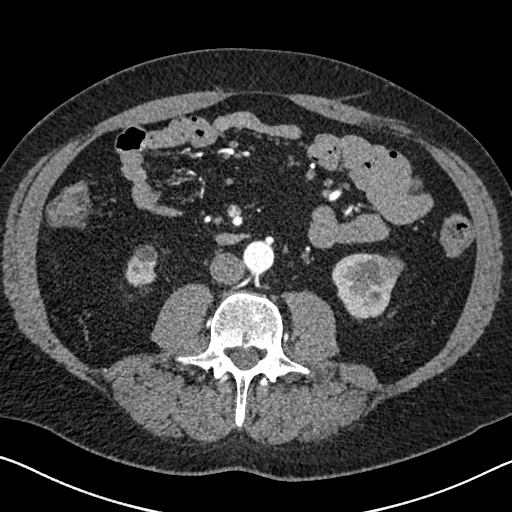
Arterial-phase contrast-enhanced abdominal CT, axial slice 303 of 626 (counted from the lowest slice); tube voltage 120 kVp, convolution kernel I30f; slices 1.00 mm thick, 0.703 mm per pixel.
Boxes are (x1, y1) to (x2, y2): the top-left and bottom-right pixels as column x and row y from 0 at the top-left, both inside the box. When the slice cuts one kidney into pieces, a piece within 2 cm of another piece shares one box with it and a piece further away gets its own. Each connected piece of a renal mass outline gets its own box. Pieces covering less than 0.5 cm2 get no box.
Three boxes on this slice (two kidney boxes and one renal mass box), listed by box centre from the image's left to its right. (1) Right kidney from (125, 245) to (157, 288) (outlined area 1,032 px, about 5.1 cm2). (2) Left kidney, box (331, 252) to (397, 318) (outlined area 2,411 px, about 11.9 cm2). (3) Left renal mass, box (356, 255) to (404, 285) (outlined area 1,068 px, about 5.3 cm2).